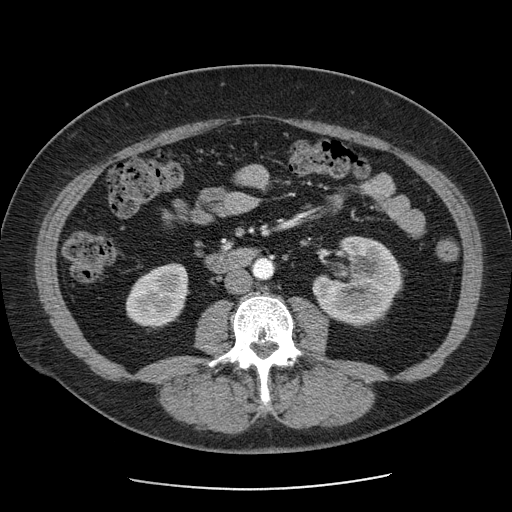
Axial slice 28 of 103 of a contrast-enhanced abdominal CT (slice 1 is the lowest), 120 kVp, kernel STANDARD; 2.50 mm slice thickness and 0.736 mm pixels.
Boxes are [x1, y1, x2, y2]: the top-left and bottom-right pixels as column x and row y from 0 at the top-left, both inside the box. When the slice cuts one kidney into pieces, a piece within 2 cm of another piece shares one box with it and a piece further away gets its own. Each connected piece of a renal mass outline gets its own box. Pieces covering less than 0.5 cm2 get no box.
Boxed on this slice (two kidney boxes and one renal mass box), listed by box centre from the image's left to its right: (1) Right kidney at [125, 262, 188, 328] (outlined area 3,113 px, about 16.9 cm2). (2) Left renal mass at [340, 285, 370, 316] (outlined area 778 px, about 4.2 cm2). (3) Left kidney, box [312, 236, 403, 327] (outlined area 5,081 px, about 27.5 cm2).